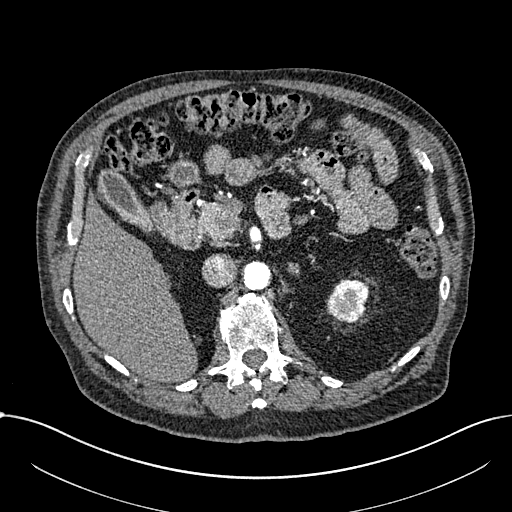
Axial slice 454 of 1059 of a contrast-enhanced abdominal CT in the arterial phase (slice 1 is the lowest), 100 kVp, kernel I30f; 1.00 mm slice thickness and 0.811 mm pixels.
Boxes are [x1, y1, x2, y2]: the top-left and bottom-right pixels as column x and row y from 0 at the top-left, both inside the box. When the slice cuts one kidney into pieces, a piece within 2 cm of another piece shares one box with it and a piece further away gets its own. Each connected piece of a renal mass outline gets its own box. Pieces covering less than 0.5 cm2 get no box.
Box [326, 279, 369, 323]: left part of the midline-crossing kidney (outlined area 1,483 px, about 9.7 cm2). No renal mass outline on this slice.